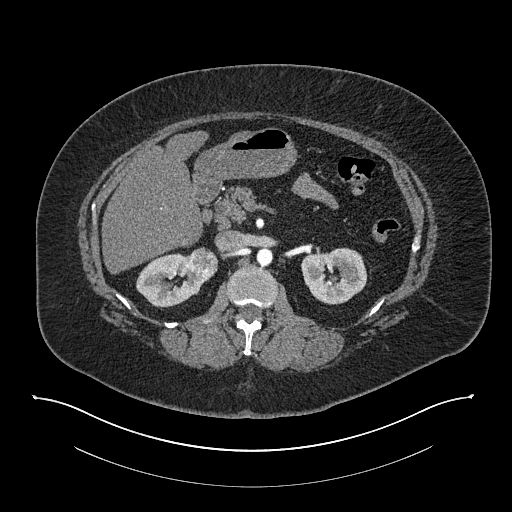
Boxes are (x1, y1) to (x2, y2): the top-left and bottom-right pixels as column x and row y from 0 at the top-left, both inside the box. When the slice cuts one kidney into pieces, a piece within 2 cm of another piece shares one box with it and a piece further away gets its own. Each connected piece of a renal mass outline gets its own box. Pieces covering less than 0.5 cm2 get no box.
Slice 503/673 of a contrast-enhanced abdominal CT in the arterial phase, counting up from the lowest; pixel size 0.957 mm, slice thickness 1.00 mm. Two kidney boxes and one renal mass box on this slice; by box centre, from the image's left to its right: (1) Right kidney, box (136, 253) to (208, 307) (outlined area 2,501 px, about 22.9 cm2). (2) Right renal mass, box (186, 247) to (218, 279) (outlined area 802 px, about 7.3 cm2). (3) Left kidney, box (301, 247) to (367, 304) (outlined area 2,882 px, about 26.4 cm2).
Scan settings: 140 kVp, I30f reconstruction kernel.